Axial slice 14 of 64 of a contrast-enhanced abdominal CT (slice 1 is the lowest), 120 kVp, kernel B; 4.00 mm slice thickness and 0.977 mm pixels.
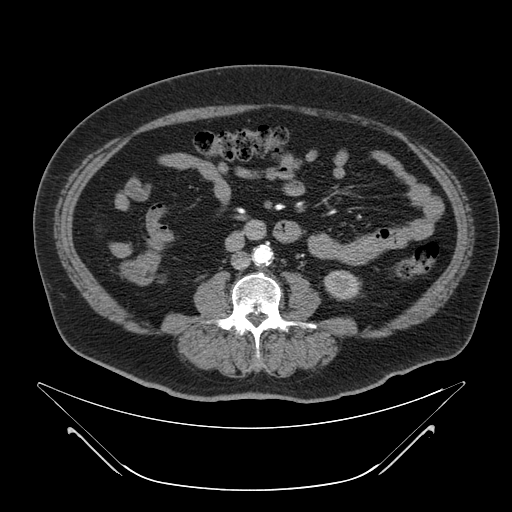
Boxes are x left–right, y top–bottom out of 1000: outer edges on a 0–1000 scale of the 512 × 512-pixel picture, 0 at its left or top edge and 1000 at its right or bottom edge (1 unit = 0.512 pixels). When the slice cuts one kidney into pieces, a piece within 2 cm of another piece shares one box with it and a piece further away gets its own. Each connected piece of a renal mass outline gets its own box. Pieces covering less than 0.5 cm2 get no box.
Box x 631–707, y 527–588 out of 1000: left kidney (outlined area 892 px, about 8.5 cm2). No renal mass is outlined on this slice.